Axial slice 41 of 55 of a contrast-enhanced abdominal CT (slice 1 is the lowest), 120 kVp, kernel B30f; 5.00 mm slice thickness and 0.908 mm pixels.
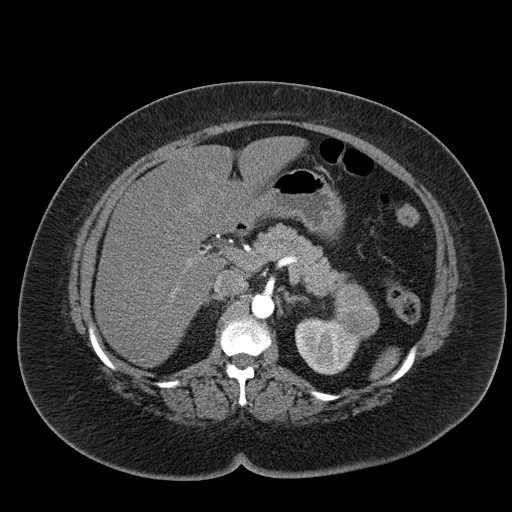
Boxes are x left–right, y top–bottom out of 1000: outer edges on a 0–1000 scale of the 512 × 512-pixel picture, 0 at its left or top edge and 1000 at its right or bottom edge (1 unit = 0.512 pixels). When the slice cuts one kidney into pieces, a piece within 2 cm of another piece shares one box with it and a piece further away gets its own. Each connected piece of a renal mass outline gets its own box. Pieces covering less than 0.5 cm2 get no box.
Two boxes on this slice (one kidney box and one renal mass box), listed by box centre from the image's left to its right. (1) Left kidney, box x 576–713, y 619–732 out of 1000 (outlined area 2,753 px, about 22.7 cm2). (2) Left renal mass, box x 650–742, y 553–662 out of 1000 (outlined area 1,873 px, about 15.4 cm2).